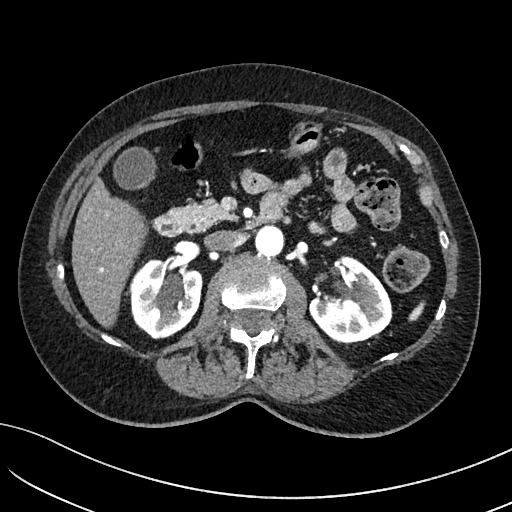
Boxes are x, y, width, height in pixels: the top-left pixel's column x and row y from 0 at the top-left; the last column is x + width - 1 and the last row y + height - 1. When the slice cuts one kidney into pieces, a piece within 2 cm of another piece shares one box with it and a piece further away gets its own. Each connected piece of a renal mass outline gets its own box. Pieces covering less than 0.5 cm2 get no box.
Arterial-phase contrast-enhanced abdominal CT, axial slice 72 of 234 (counted from the lowest slice); 2.00 mm thick, 0.699 mm per pixel. Two boxes on this slice (two kidney boxes), listed by box centre from the image's left to its right. (1) Right kidney, box x 128, y 259, width 75, height 81 (outlined area 4,572 px, about 22.4 cm2). (2) Left kidney, box x 309, y 256, width 83, height 87 (outlined area 4,909 px, about 24.0 cm2). This slice carries no renal mass outline.
Acquired at 100 kVp and reconstructed with the I40f kernel.